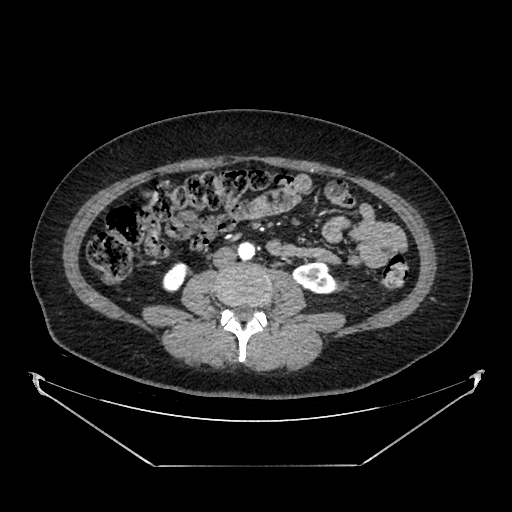
Axial slice 190 of 383 of a contrast-enhanced abdominal CT in the arterial phase (slice 1 is the lowest), 100 kVp, kernel SOFT; 1.25 mm slice thickness and 0.898 mm pixels.
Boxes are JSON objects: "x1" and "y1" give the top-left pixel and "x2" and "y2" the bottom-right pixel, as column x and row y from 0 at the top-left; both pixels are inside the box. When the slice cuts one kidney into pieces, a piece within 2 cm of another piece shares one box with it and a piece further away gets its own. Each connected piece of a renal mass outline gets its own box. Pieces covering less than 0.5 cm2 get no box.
Two boxes on this slice (two kidney boxes), listed by box centre from the image's left to its right. (1) Box {"x1": 162, "y1": 262, "x2": 186, "y2": 292}: right kidney (outlined area 548 px, about 4.4 cm2). (2) Box {"x1": 292, "y1": 262, "x2": 336, "y2": 293}: left kidney (outlined area 1,044 px, about 8.4 cm2). No renal mass outline on this slice.